One axial slice (406 of 512, counting up from the lowest) of an arterial-phase abdominal CT acquired with 120 kVp, kernel B30f; each pixel is 0.771 mm and the slice is 1.00 mm thick.
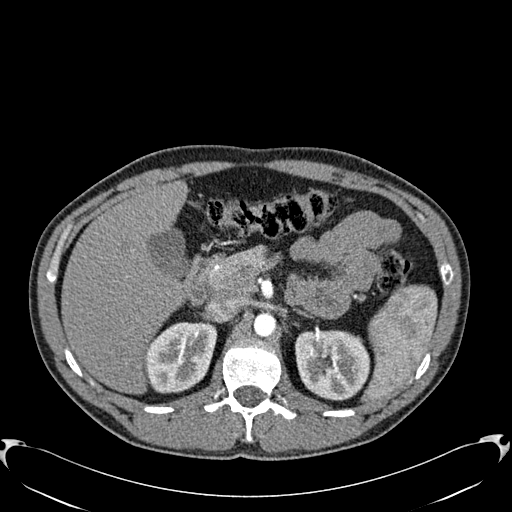
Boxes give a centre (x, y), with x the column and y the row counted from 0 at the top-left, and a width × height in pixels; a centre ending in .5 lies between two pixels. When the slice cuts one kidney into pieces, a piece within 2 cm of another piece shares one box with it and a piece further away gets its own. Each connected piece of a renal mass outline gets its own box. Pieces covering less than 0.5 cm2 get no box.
Two kidney boxes on this slice; by box centre, from the image's left to its right: (1) Box centre (181, 357), 73 × 73 pixels: right kidney (outlined area 4,036 px, about 24.0 cm2). (2) Left kidney, box centre (332.5, 365), 76 × 71 pixels (outlined area 4,369 px, about 26.0 cm2). No renal mass is outlined on this slice.